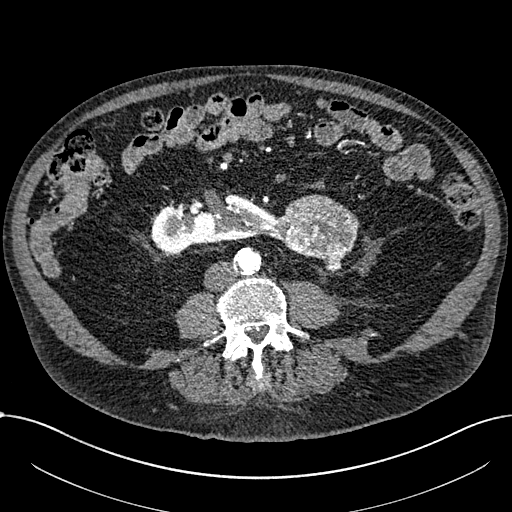
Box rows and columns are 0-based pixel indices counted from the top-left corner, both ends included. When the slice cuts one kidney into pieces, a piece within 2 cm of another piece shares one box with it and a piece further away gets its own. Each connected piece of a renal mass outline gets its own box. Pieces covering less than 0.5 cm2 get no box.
Slice 272/1059 of a contrast-enhanced abdominal CT in the arterial phase, counting up from the lowest; pixel size 0.811 mm, slice thickness 1.00 mm. Two boxes on this slice (one kidney box and one renal mass box), listed by box centre from the image's left to its right. (1) Right part of the midline-crossing kidney, box rows 192–254, columns 151–278 (outlined area 5,091 px, about 33.4 cm2). (2) Renal mass at rows 194–268, columns 275–359 (outlined area 4,291 px, about 28.2 cm2).
Tube voltage 100 kVp; convolution kernel I30f.